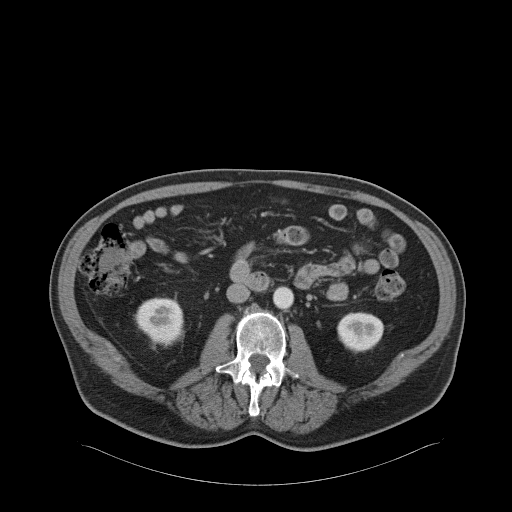
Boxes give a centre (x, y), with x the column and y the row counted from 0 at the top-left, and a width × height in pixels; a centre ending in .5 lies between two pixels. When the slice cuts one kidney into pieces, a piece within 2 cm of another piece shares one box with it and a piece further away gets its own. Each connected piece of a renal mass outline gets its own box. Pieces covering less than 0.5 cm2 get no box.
Slice 22/68 of a contrast-enhanced abdominal CT in the arterial phase, counting up from the lowest; pixel size 0.961 mm, slice thickness 5.00 mm. Two kidney boxes on this slice; by box centre, from the image's left to its right: (1) Right kidney in a box with centre (159, 320.5), 51 × 48 pixels (outlined area 1,850 px, about 17.1 cm2). (2) Left kidney, box centre (360.5, 331.5), 48 × 40 pixels (outlined area 1,497 px, about 13.8 cm2). No renal mass is outlined on this slice.
Tube voltage 120 kVp; convolution kernel B31f.